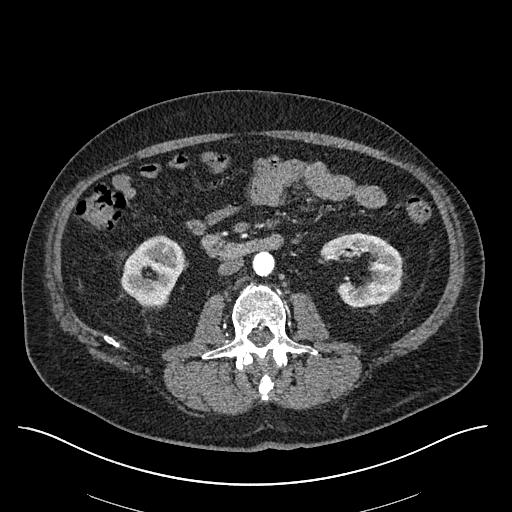
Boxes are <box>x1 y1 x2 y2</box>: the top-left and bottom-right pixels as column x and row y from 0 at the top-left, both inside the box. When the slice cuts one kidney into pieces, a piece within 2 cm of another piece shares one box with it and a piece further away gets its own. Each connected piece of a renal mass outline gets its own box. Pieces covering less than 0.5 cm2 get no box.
Slice 286/670 of a contrast-enhanced abdominal CT in the arterial phase, counting up from the lowest; pixel size 0.861 mm, slice thickness 1.00 mm. Two boxes on this slice (two kidney boxes), listed by box centre from the image's left to its right. (1) Right kidney: <box>121 235 185 306</box> (outlined area 3,280 px, about 24.3 cm2). (2) Left kidney: <box>320 233 401 306</box> (outlined area 3,785 px, about 28.1 cm2).
Acquired at 120 kVp and reconstructed with the I30f kernel.